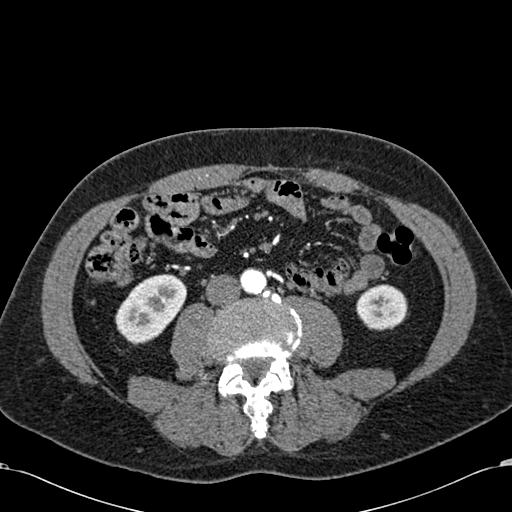
Axial slice 230 of 581 of a contrast-enhanced abdominal CT in the arterial phase (slice 1 is the lowest), 120 kVp, kernel B30f; 1.00 mm slice thickness and 0.713 mm pixels.
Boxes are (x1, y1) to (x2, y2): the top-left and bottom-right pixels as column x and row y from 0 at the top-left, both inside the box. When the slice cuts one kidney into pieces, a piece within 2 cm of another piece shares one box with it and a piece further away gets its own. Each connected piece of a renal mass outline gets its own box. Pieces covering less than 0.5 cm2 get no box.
Two boxes on this slice (two kidney boxes), listed by box centre from the image's left to its right. (1) Right kidney from (115, 274) to (186, 345) (outlined area 3,450 px, about 17.5 cm2). (2) Left kidney, box (356, 284) to (407, 330) (outlined area 1,897 px, about 9.6 cm2). This slice carries no renal mass outline.